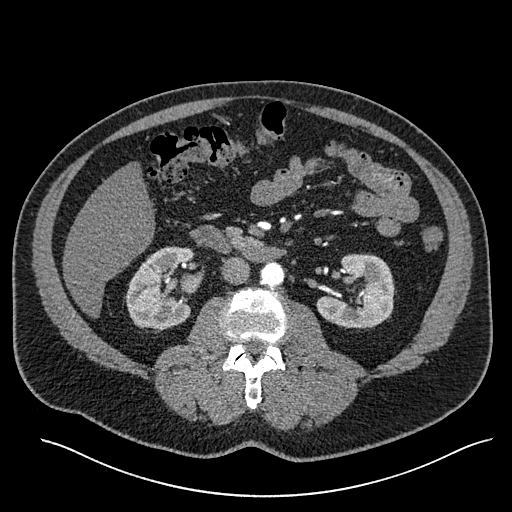
Axial slice 297 of 527 of a contrast-enhanced abdominal CT in the arterial phase (slice 1 is the lowest), 120 kVp, kernel I30f; 1.00 mm slice thickness and 0.859 mm pixels.
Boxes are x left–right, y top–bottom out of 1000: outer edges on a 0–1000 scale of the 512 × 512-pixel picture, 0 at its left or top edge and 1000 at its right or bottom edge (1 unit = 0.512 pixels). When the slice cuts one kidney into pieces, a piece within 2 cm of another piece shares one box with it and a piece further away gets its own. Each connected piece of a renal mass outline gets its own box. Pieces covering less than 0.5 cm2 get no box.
Two kidney boxes on this slice; by box centre, from the image's left to its right: (1) Box x 244–375, y 480–652 out of 1000: right kidney (outlined area 4,352 px, about 32.1 cm2). (2) Left kidney, box x 617–773, y 494–643 out of 1000 (outlined area 4,217 px, about 31.1 cm2). No renal mass is outlined on this slice.